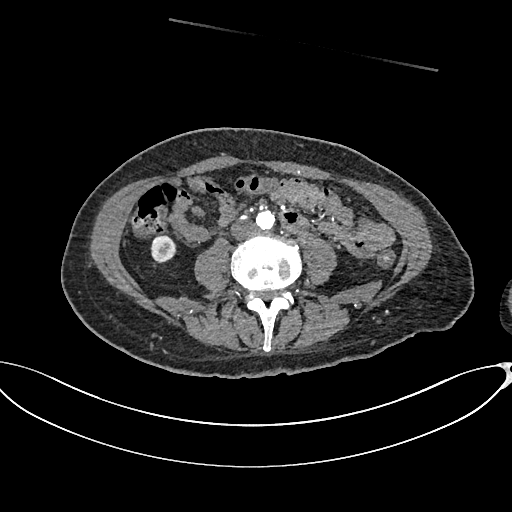
Arterial-phase contrast-enhanced abdominal CT, axial slice 276 of 665 (counted from the lowest slice); tube voltage 100 kVp, convolution kernel I26f; slices 1.00 mm thick, 0.828 mm per pixel.
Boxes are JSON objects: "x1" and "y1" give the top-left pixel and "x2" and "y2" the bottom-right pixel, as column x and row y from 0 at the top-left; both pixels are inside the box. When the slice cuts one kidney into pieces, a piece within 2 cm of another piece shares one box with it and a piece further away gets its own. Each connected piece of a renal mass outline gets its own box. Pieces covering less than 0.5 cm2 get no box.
Right kidney, box {"x1": 150, "y1": 234, "x2": 176, "y2": 263} (outlined area 600 px, about 4.1 cm2). No renal mass outline on this slice.